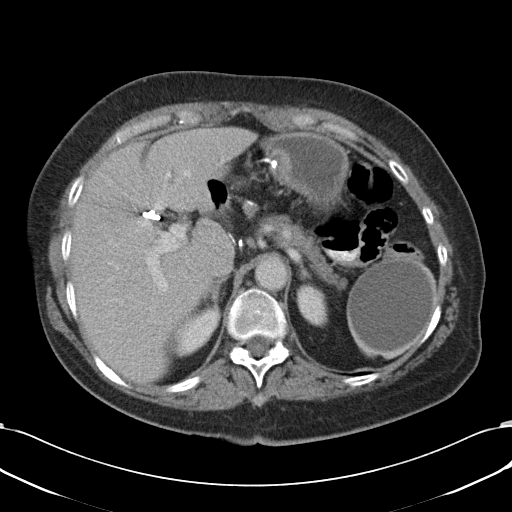
One axial slice (74 of 90, counting up from the lowest) of a contrast-enhanced abdominal CT acquired with 120 kVp, kernel B31f; each pixel is 0.707 mm and the slice is 5.00 mm thick.
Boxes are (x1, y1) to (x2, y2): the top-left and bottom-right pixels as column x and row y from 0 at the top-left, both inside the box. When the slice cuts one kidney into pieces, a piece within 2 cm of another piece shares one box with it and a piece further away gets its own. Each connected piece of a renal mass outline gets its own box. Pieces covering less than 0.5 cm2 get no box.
Boxed on this slice (two kidney boxes), listed by box centre from the image's left to its right: (1) Right kidney from (176, 306) to (219, 356) (outlined area 1,230 px, about 6.1 cm2). (2) Box (296, 284) to (326, 326): left kidney (outlined area 927 px, about 4.6 cm2). This slice carries no renal mass outline.